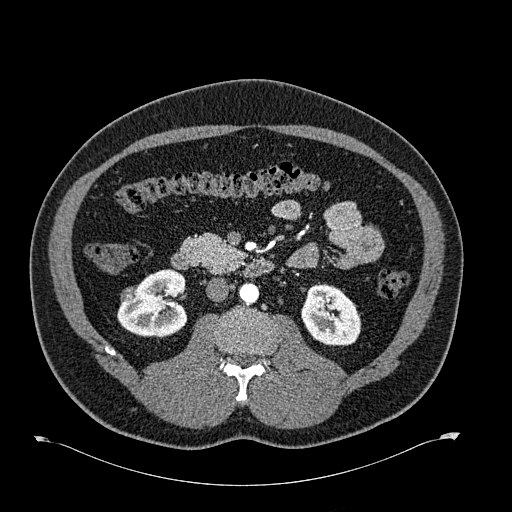
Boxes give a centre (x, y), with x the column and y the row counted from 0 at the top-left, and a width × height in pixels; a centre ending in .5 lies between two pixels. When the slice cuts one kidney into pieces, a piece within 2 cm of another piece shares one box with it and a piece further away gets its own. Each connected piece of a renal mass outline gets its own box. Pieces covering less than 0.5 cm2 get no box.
This is axial slice 340 of 723 (slice 1 is the lowest) of an arterial-phase abdominal CT with contrast; each pixel is 0.895 mm and the slice is 1.00 mm thick. Three boxes on this slice (two kidney boxes and one renal mass box), listed by box centre from the image's left to its right. (1) Right renal mass in a box with centre (128.5, 294), 18 × 17 pixels (outlined area 226 px, about 1.8 cm2). (2) Box centre (152.5, 303), 72 × 69 pixels: right kidney (outlined area 3,540 px, about 28.3 cm2). (3) Left kidney in a box with centre (331, 314), 61 × 63 pixels (outlined area 2,893 px, about 23.1 cm2).
Tube voltage 120 kVp; convolution kernel B30f.